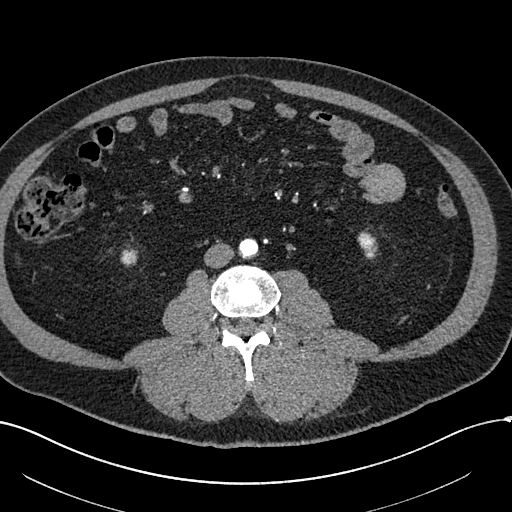
Arterial-phase contrast-enhanced abdominal CT, axial slice 208 of 602 (counted from the lowest slice); tube voltage 120 kVp, convolution kernel I30f; slices 1.00 mm thick, 0.799 mm per pixel.
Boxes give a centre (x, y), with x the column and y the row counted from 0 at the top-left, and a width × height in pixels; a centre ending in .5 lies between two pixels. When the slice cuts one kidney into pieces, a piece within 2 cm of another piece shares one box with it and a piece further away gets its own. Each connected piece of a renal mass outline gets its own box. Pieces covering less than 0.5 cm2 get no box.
Boxed on this slice (two kidney boxes), listed by box centre from the image's left to its right: (1) Right kidney in a box with centre (128.5, 255), 18 × 23 pixels (outlined area 279 px, about 1.8 cm2). (2) Left kidney in a box with centre (367, 243.5), 21 × 32 pixels (outlined area 411 px, about 2.6 cm2). This slice carries no renal mass outline.